Axial slice 67 of 88 of a contrast-enhanced abdominal CT in the arterial phase (slice 1 is the lowest), 120 kVp, kernel B41f; 5.00 mm slice thickness and 0.723 mm pixels.
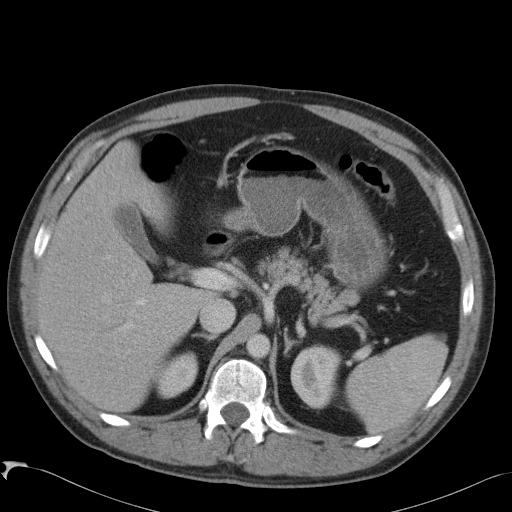
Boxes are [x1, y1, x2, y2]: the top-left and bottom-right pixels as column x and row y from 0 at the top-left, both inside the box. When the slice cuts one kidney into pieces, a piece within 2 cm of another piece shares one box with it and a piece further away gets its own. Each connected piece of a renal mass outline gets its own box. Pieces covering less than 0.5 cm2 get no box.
Two kidney boxes on this slice; by box centre, from the image's left to its right: (1) Box [155, 351, 198, 398]: right kidney (outlined area 1,458 px, about 7.6 cm2). (2) Left kidney, box [290, 344, 341, 408] (outlined area 2,522 px, about 13.2 cm2). No renal mass outline on this slice.